Abdominal CT with intravenous contrast, arterial phase, axial plane, 120 kVp, kernel I30f. Slice 406/735 from the bottom of the scan; thickness 1.00 mm; pixel size 0.789 mm.
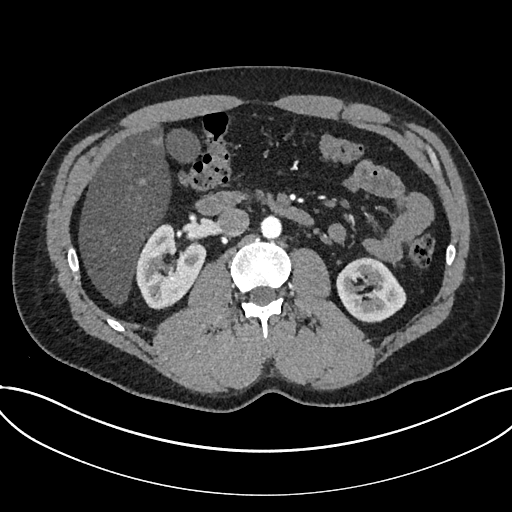
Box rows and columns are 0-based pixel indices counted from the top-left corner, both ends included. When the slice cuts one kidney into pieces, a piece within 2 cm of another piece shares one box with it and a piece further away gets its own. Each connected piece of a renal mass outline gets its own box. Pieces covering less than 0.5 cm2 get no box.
Two boxes on this slice (two kidney boxes), listed by box centre from the image's left to its right. (1) Box rows 223–309, columns 134–206: kidney (outlined area 4,148 px, about 25.8 cm2). (2) Kidney at rows 257–322, columns 336–406 (outlined area 3,329 px, about 20.7 cm2). No renal mass is outlined on this slice.